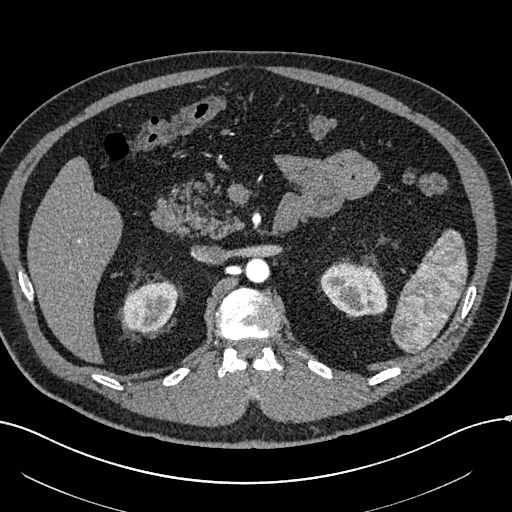
Axial slice 398 of 602 of a contrast-enhanced abdominal CT in the arterial phase (slice 1 is the lowest), 120 kVp, kernel I30f; 1.00 mm slice thickness and 0.799 mm pixels.
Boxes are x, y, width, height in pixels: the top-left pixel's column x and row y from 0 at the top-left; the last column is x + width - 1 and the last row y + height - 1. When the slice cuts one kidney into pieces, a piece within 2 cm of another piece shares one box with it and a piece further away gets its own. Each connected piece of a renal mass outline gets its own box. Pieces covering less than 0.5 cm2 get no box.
Boxed on this slice (two kidney boxes), listed by box centre from the image's left to its right: (1) Right kidney, box x 123, y 281, width 55, height 52 (outlined area 2,195 px, about 14.0 cm2). (2) Box x 320, y 262, width 68, height 55: left kidney (outlined area 2,814 px, about 18.0 cm2). No renal mass is outlined on this slice.